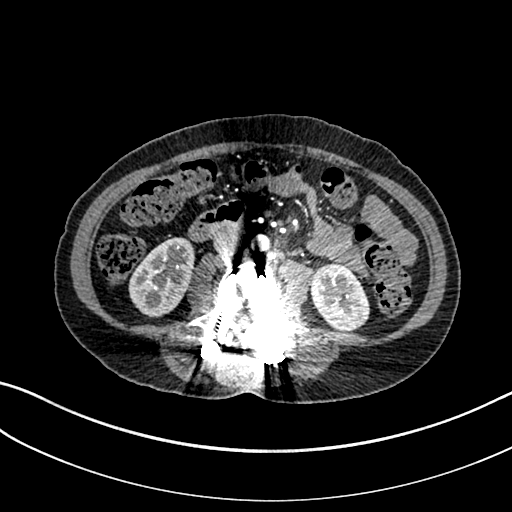
Arterial-phase contrast-enhanced abdominal CT, axial slice 98 of 325 (counted from the lowest slice); tube voltage 100 kVp, convolution kernel I30f; slices 1.00 mm thick, 0.703 mm per pixel.
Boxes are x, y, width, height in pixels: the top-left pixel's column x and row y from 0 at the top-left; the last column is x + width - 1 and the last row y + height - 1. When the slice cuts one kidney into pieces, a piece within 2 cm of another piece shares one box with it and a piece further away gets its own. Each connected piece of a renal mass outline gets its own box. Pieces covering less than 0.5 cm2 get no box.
Two kidney boxes on this slice; by box centre, from the image's left to its right: (1) Right kidney, box x 128, y 237, width 67, height 81 (outlined area 3,779 px, about 18.7 cm2). (2) Left kidney at x 310, y 263, width 60, height 68 (outlined area 3,035 px, about 15.0 cm2). This slice carries no renal mass outline.